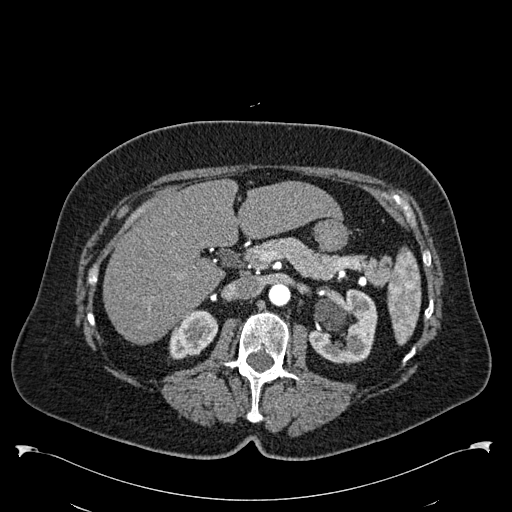
Abdominal CT with intravenous contrast, arterial phase, axial plane, 120 kVp, kernel B30f. Slice 358/538 from the bottom of the scan; thickness 1.00 mm; pixel size 0.811 mm.
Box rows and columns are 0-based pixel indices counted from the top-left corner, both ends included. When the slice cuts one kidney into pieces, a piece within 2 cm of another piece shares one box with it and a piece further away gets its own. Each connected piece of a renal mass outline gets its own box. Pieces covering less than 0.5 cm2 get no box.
Two boxes on this slice (two kidney boxes), listed by box centre from the image's left to its right. (1) Right kidney, box rows 310–359, columns 168–218 (outlined area 1,723 px, about 11.3 cm2). (2) Left kidney at rows 289–363, columns 308–377 (outlined area 3,721 px, about 24.4 cm2). No renal mass is outlined on this slice.